Abdominal CT with intravenous contrast, axial plane, 120 kVp, kernel B31f. Slice 3/43 from the bottom of the scan; thickness 5.00 mm; pixel size 0.701 mm.
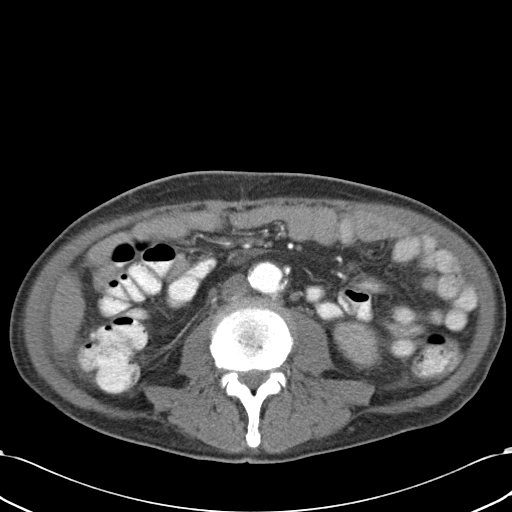
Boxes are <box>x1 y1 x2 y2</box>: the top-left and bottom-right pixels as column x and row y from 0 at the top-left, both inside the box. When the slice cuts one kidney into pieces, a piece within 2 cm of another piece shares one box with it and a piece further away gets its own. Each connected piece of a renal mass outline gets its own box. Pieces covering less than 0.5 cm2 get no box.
Left kidney at <box>333 321 381 369</box> (outlined area 1,756 px, about 8.6 cm2). No renal mass is outlined on this slice.